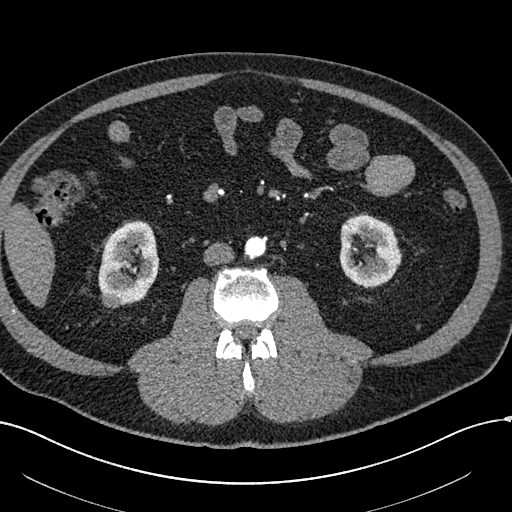
Arterial-phase contrast-enhanced abdominal CT, axial slice 257 of 602 (counted from the lowest slice); tube voltage 120 kVp, convolution kernel I30f; slices 1.00 mm thick, 0.799 mm per pixel.
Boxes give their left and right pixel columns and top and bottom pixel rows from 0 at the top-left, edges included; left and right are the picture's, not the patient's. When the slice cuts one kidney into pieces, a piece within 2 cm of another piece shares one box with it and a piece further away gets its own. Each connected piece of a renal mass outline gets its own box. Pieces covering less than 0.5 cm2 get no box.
Three boxes on this slice (two kidney boxes and one renal mass box), listed by box centre from the image's left to its right. (1) Right renal mass, the box with left 101, top 292, right 120, bottom 308 (outlined area 270 px, about 1.7 cm2). (2) Right kidney, the box with left 98, top 220, right 158, bottom 305 (outlined area 3,778 px, about 24.1 cm2). (3) Left kidney, the box with left 339, top 212, right 402, bottom 288 (outlined area 3,463 px, about 22.1 cm2).